Axial slice 193 of 316 of a contrast-enhanced abdominal CT in the arterial phase (slice 1 is the lowest), 100 kVp, kernel I40f; 2.00 mm slice thickness and 0.840 mm pixels.
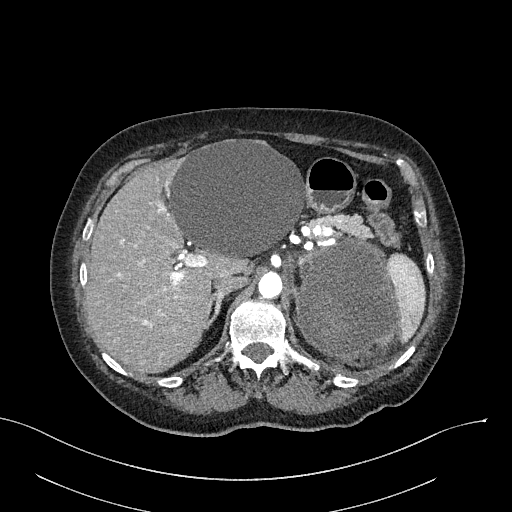
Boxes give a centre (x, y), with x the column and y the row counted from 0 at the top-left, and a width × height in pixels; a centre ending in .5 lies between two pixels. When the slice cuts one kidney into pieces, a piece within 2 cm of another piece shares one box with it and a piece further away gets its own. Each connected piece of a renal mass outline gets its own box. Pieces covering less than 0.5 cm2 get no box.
Left renal mass in a box with centre (346.5, 300), 104 × 127 pixels (outlined area 10,287 px, about 72.6 cm2); this slice has no kidney outline, though on another slice the same outlined renal mass lies within 1 cm of the kidney.